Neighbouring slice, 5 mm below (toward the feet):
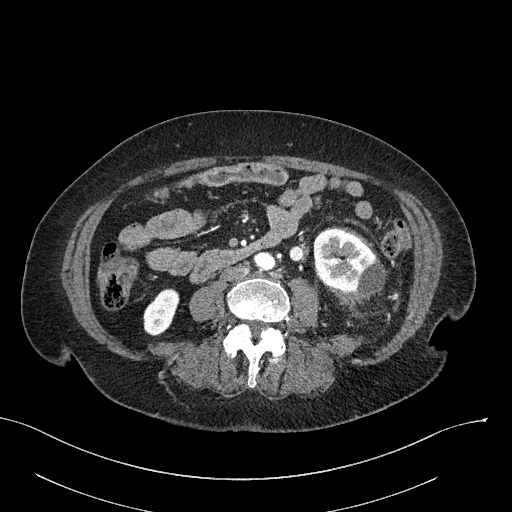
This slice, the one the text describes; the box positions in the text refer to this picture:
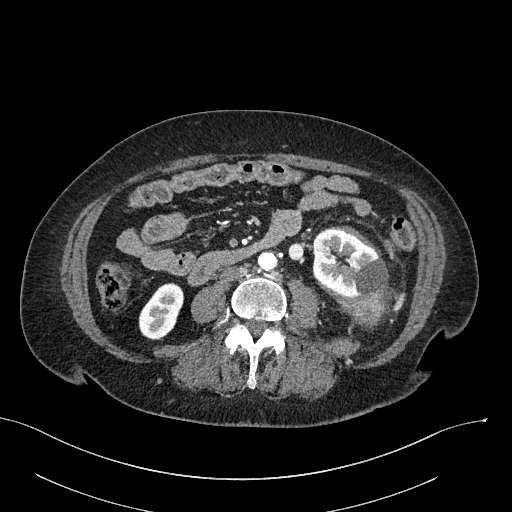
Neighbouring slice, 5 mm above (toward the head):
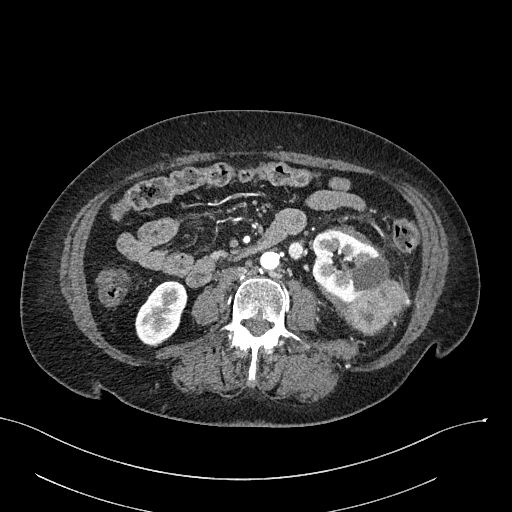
Arterial-phase contrast-enhanced abdominal CT, axial slice 94 of 316 (counted from the lowest slice); tube voltage 100 kVp, convolution kernel I40f; slices 2.00 mm thick, 0.840 mm per pixel.
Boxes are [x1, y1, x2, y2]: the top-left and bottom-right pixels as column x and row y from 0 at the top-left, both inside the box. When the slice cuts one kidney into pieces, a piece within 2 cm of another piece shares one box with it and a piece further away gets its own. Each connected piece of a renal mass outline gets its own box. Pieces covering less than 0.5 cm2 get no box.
Boxed on this slice (two kidney boxes and one renal mass box), listed by box centre from the image's left to its right: (1) Box [138, 283, 183, 339]: right kidney (outlined area 1,820 px, about 12.8 cm2). (2) Left kidney, box [312, 229, 391, 300] (outlined area 3,912 px, about 27.6 cm2). (3) Box [349, 291, 390, 326]: left renal mass (outlined area 1,138 px, about 8.0 cm2). This slice lies near the end of the left renal mass toward the feet; the slices 5 mm below and 5 mm above it are shown too, and the boxes mark positions on this slice only.